One axial slice (79 of 114, counting up from the lowest) of an arterial-phase abdominal CT acquired with 120 kVp, kernel B31f; each pixel is 0.781 mm and the slice is 5.00 mm thick.
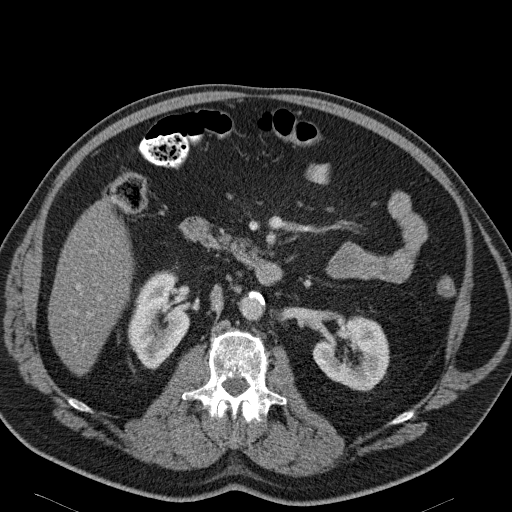
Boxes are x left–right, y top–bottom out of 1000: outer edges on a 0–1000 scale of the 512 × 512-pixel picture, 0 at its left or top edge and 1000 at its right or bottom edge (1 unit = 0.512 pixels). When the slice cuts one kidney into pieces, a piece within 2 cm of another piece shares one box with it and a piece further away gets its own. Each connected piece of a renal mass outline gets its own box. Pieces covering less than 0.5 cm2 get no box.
Boxed on this slice (two kidney boxes), listed by box centre from the image's left to its right: (1) Box x 248–371, y 527–723 out of 1000: right kidney (outlined area 4,293 px, about 26.2 cm2). (2) Left kidney, box x 609–762, y 617–766 out of 1000 (outlined area 3,973 px, about 24.2 cm2). No renal mass outline on this slice.